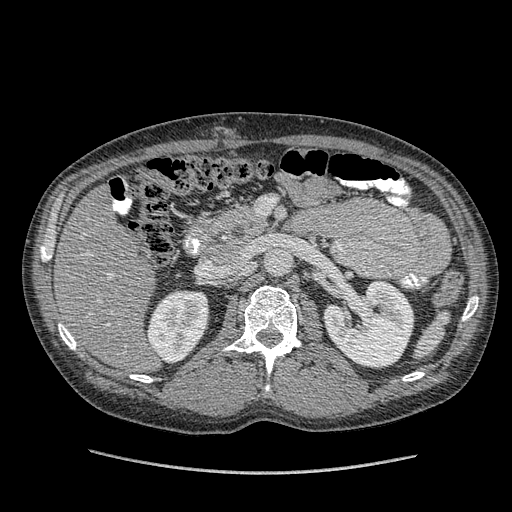
Abdominal CT with intravenous contrast, arterial phase, axial plane, 120 kVp, kernel STANDARD. Slice 225/349 from the bottom of the scan; thickness 1.25 mm; pixel size 0.742 mm.
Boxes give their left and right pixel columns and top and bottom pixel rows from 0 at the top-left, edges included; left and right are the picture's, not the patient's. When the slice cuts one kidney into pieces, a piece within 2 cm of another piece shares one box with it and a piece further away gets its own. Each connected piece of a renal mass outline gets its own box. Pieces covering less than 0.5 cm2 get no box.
Two boxes on this slice (two kidney boxes), listed by box centre from the image's left to its right. (1) Right kidney, the box with left 146, top 289, right 209, bottom 364 (outlined area 3,520 px, about 19.4 cm2). (2) Left kidney, the box with left 323, top 279, right 414, bottom 368 (outlined area 5,950 px, about 32.8 cm2). No renal mass outline on this slice.